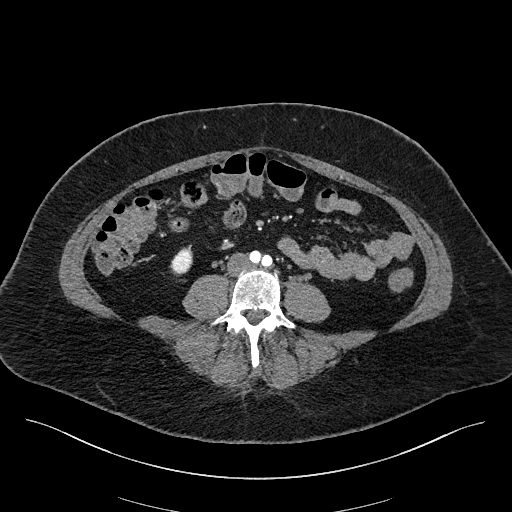
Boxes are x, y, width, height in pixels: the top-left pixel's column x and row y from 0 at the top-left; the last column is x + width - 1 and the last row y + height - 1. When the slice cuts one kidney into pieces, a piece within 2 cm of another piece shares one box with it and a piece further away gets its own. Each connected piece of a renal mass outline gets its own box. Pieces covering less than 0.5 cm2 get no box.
Slice 42/270 of a contrast-enhanced abdominal CT in the arterial phase, counting up from the lowest; pixel size 0.855 mm, slice thickness 2.00 mm. Right kidney, box x 170, y 245, width 23, height 31 (outlined area 483 px, about 3.5 cm2). No renal mass is outlined on this slice.
Acquired at 100 kVp and reconstructed with the I40f kernel.